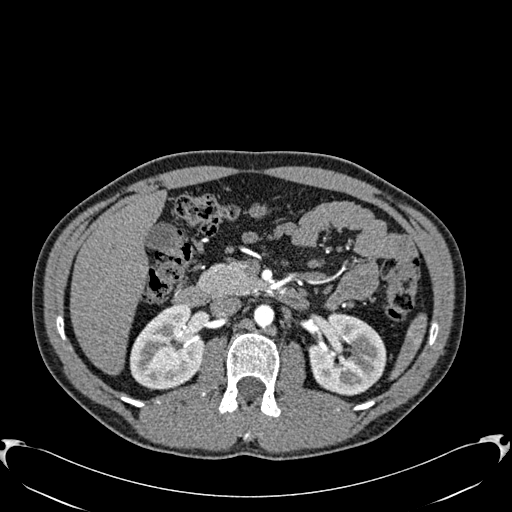
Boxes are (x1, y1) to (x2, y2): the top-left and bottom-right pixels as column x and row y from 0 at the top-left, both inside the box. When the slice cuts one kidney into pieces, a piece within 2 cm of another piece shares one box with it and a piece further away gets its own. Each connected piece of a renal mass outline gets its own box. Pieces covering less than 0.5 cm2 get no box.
Slice 365/512 of a contrast-enhanced abdominal CT in the arterial phase, counting up from the lowest; pixel size 0.771 mm, slice thickness 1.00 mm. Boxed on this slice (two kidney boxes), listed by box centre from the image's left to its right: (1) Right kidney, box (129, 305) to (204, 390) (outlined area 4,711 px, about 28.0 cm2). (2) Left kidney from (309, 313) to (386, 395) (outlined area 4,867 px, about 29.0 cm2). No renal mass outline on this slice.
Scan settings: 120 kVp, B30f reconstruction kernel.